Abdominal CT with intravenous contrast, arterial phase, axial plane, 120 kVp, kernel STANDARD. Slice 257/389 from the bottom of the scan; thickness 1.25 mm; pixel size 0.869 mm.
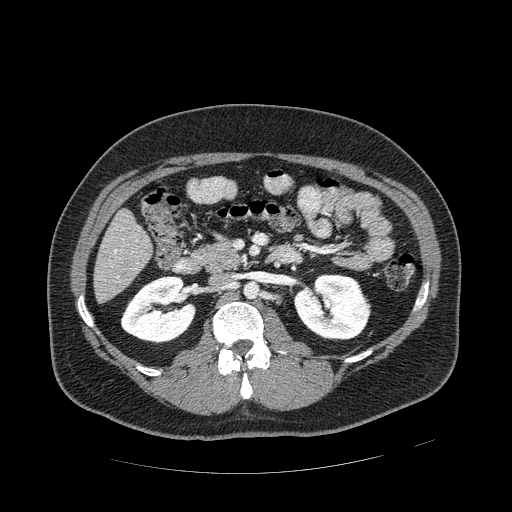
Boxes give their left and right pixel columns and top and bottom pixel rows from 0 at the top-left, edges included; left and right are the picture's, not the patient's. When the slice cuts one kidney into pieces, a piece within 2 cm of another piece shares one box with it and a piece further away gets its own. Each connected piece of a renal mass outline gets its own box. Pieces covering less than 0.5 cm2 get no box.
Boxed on this slice (two kidney boxes and one renal mass box), listed by box centre from the image's left to its right: (1) Right kidney, the box with left 120, top 276, right 196, bottom 343 (outlined area 3,737 px, about 28.2 cm2). (2) Left kidney, the box with left 293, top 274, right 368, bottom 340 (outlined area 3,704 px, about 28.0 cm2). (3) Box with left 354, top 301, right 370, bottom 317: left renal mass (outlined area 221 px, about 1.7 cm2).